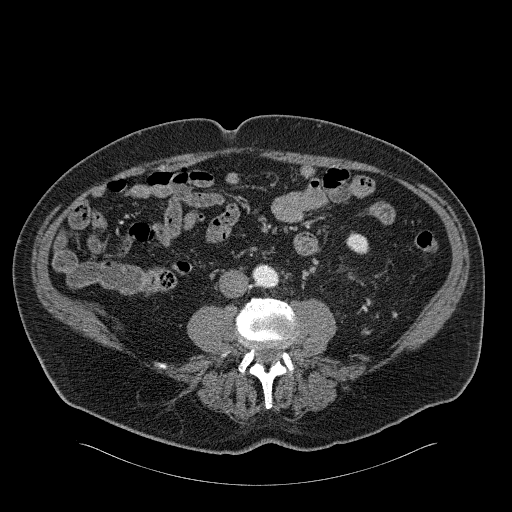
Axial slice 56 of 326 of a contrast-enhanced abdominal CT in the arterial phase (slice 1 is the lowest), 120 kVp, kernel B31f; 2.00 mm slice thickness and 0.963 mm pixels.
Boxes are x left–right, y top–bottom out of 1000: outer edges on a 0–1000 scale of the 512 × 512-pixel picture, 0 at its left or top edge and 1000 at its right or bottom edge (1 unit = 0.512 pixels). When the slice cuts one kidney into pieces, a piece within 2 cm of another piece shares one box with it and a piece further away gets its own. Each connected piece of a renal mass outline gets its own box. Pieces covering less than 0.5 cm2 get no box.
Left kidney at x 676–723, y 453–498 out of 1000 (outlined area 374 px, about 3.5 cm2). No renal mass is outlined on this slice.